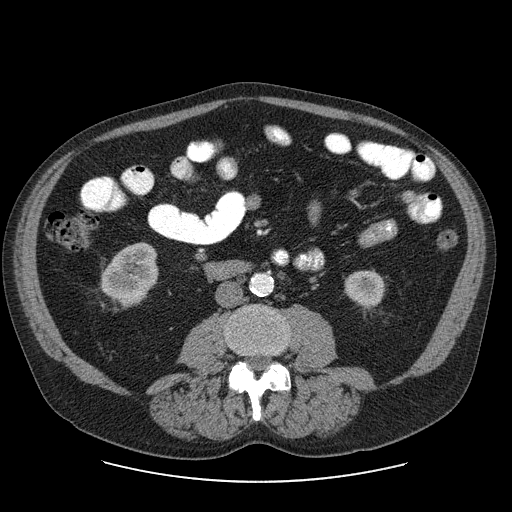
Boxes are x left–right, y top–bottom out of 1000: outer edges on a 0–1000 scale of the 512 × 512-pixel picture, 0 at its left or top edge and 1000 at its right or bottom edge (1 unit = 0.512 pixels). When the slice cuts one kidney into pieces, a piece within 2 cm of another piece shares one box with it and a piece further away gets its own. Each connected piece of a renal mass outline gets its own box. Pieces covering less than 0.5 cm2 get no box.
Slice 19/103 of a contrast-enhanced abdominal CT, counting up from the lowest; pixel size 0.820 mm, slice thickness 2.50 mm. Two kidney boxes on this slice; by box centre, from the image's left to its right: (1) Right kidney, box x 195–311, y 473–602 out of 1000 (outlined area 2,734 px, about 18.4 cm2). (2) Left kidney, box x 672–754, y 527–598 out of 1000 (outlined area 1,208 px, about 8.1 cm2). No renal mass is outlined on this slice.
Scan settings: 120 kVp, STANDARD reconstruction kernel.